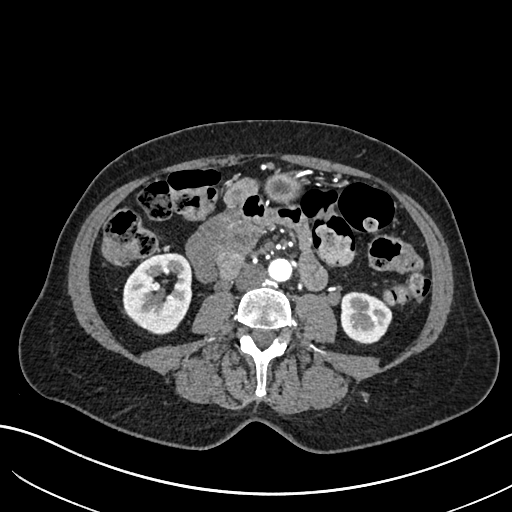
One axial slice (303 of 683, counting up from the lowest) of an arterial-phase abdominal CT acquired with 120 kVp, kernel I30f; each pixel is 0.738 mm and the slice is 1.00 mm thick.
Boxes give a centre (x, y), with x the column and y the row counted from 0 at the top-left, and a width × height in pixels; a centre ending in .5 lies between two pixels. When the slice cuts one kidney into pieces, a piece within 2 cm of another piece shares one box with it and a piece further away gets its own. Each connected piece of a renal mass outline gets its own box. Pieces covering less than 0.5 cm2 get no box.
Two kidney boxes on this slice; by box centre, from the image's left to its right: (1) Box centre (157, 293.5), 71 × 84 pixels: right kidney (outlined area 4,249 px, about 23.2 cm2). (2) Left kidney, box centre (366.5, 317.5), 52 × 54 pixels (outlined area 2,133 px, about 11.6 cm2).